Abdominal CT with intravenous contrast, arterial phase, axial plane, 100 kVp, kernel I30f. Slice 117/304 from the bottom of the scan; thickness 2.00 mm; pixel size 0.809 mm.
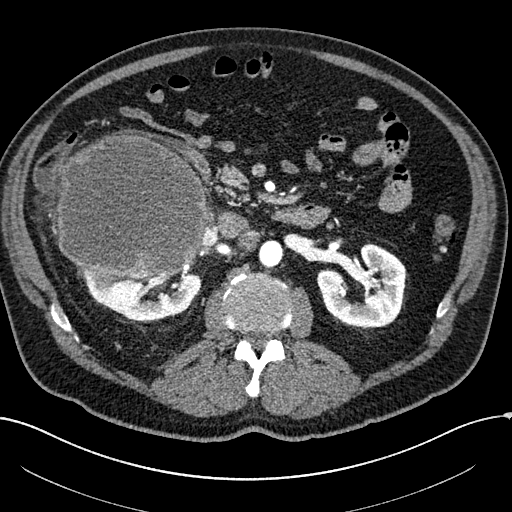
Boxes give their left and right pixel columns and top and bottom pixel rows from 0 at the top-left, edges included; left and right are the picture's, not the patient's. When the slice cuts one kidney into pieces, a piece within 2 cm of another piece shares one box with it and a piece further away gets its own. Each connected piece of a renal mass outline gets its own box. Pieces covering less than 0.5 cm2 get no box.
Two kidney boxes and one renal mass box on this slice; by box centre, from the image's left to its right: (1) Right renal mass, the box with left 56, top 132, right 207, bottom 277 (outlined area 18,031 px, about 117.9 cm2). (2) Right kidney, the box with left 76, top 262, right 201, bottom 320 (outlined area 4,267 px, about 27.9 cm2). (3) Left kidney in the box with left 316, top 242, right 407, bottom 328 (outlined area 5,351 px, about 35.0 cm2).